Arterial-phase contrast-enhanced abdominal CT, axial slice 82 of 304 (counted from the lowest slice); tube voltage 100 kVp, convolution kernel I30f; slices 2.00 mm thick, 0.809 mm per pixel.
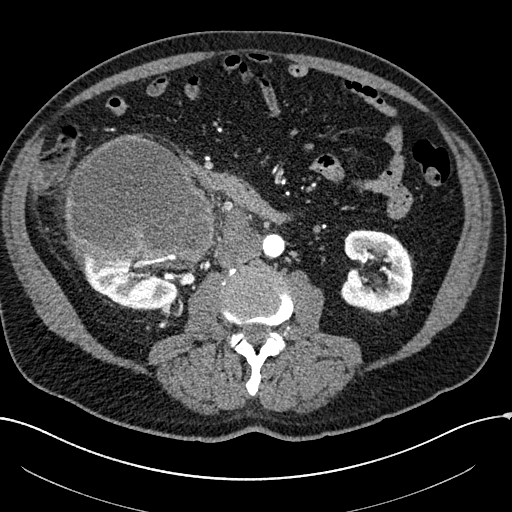
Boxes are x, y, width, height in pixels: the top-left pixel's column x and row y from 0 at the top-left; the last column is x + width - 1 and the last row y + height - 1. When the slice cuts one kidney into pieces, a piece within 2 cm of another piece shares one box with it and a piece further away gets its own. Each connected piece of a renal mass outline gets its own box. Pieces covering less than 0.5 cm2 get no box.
Boxed on this slice (two kidney boxes and one renal mass box), listed by box centre from the image's left to its right: (1) Right kidney at x 84, y 258, width 95, height 53 (outlined area 3,491 px, about 22.8 cm2). (2) Box x 64, y 135, width 152, height 136: right renal mass (outlined area 15,718 px, about 102.8 cm2). (3) Left kidney, box x 340, y 229, width 73, height 85 (outlined area 4,601 px, about 30.1 cm2).